One axial slice (451 of 787, counting up from the lowest) of a contrast-enhanced abdominal CT acquired with 140 kVp, kernel I30f; each pixel is 0.910 mm and the slice is 1.00 mm thick.
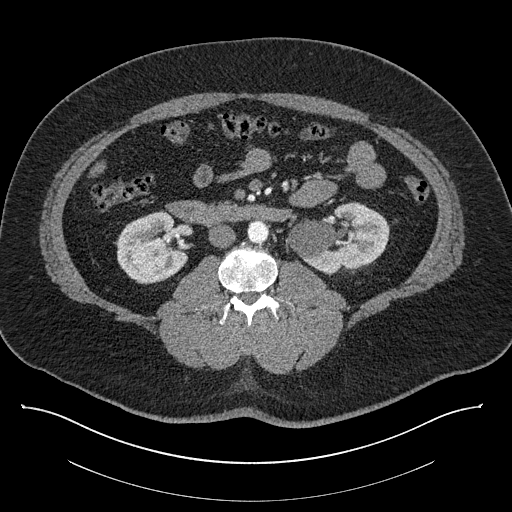
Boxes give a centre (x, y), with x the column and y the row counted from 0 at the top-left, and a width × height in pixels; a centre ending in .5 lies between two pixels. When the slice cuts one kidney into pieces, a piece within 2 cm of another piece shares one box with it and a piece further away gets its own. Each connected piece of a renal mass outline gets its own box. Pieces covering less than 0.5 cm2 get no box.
Boxed on this slice (two kidney boxes), listed by box centre from the image's left to its right: (1) Box centre (151, 246.5), 73 × 74 pixels: right kidney (outlined area 3,902 px, about 32.3 cm2). (2) Left kidney, box centre (337.5, 237), 104 × 71 pixels (outlined area 5,072 px, about 42.0 cm2). This slice carries no renal mass outline.